Abdominal CT with intravenous contrast, axial plane, 120 kVp, kernel B31f. Slice 99/113 from the bottom of the scan; thickness 2.00 mm; pixel size 0.742 mm.
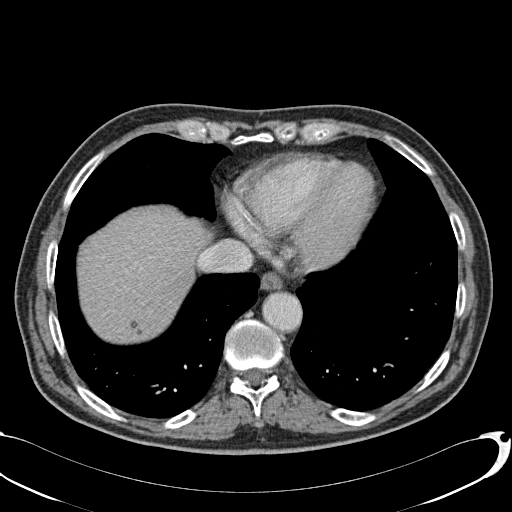
This slice carries no outline: it lies beyond the outlined kidneys and beyond every outlined renal mass. Other organs are not outlined in this scan.